Axial slice 145 of 233 of a contrast-enhanced abdominal CT in the arterial phase (slice 1 is the lowest), 120 kVp, kernel STANDARD; 1.25 mm slice thickness and 0.703 mm pixels.
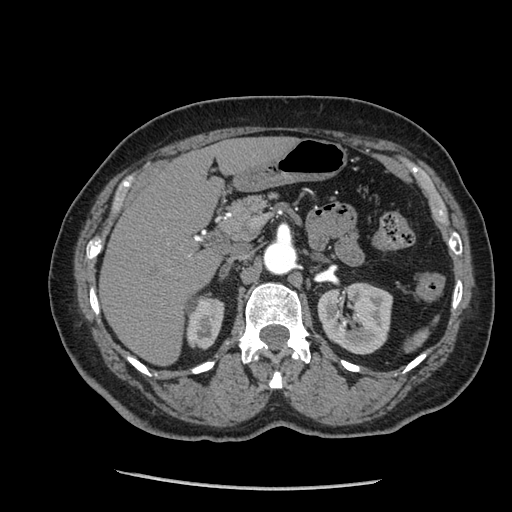
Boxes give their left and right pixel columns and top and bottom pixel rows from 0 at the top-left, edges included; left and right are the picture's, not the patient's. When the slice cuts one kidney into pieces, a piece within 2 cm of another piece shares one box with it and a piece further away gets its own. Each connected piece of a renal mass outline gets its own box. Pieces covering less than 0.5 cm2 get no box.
Two boxes on this slice (two kidney boxes), listed by box centre from the image's left to its right. (1) Right kidney in the box with left 183, top 295, right 224, bottom 349 (outlined area 1,811 px, about 9.0 cm2). (2) Box with left 317, top 281, right 392, bottom 354: left kidney (outlined area 4,251 px, about 21.0 cm2). No renal mass outline on this slice.